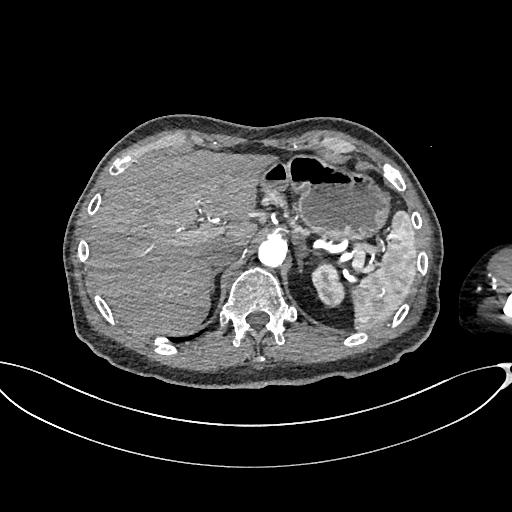
Axial slice 512 of 665 of a contrast-enhanced abdominal CT in the arterial phase (slice 1 is the lowest), 100 kVp, kernel I26f; 1.00 mm slice thickness and 0.828 mm pixels.
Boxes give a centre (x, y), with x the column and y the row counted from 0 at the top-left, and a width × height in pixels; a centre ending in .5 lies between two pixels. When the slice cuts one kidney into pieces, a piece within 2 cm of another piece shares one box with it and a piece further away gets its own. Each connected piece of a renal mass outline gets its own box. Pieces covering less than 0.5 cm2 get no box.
Box centre (327.5, 284), 34 × 47 pixels: left kidney (outlined area 1,107 px, about 7.6 cm2). This slice carries no renal mass outline.